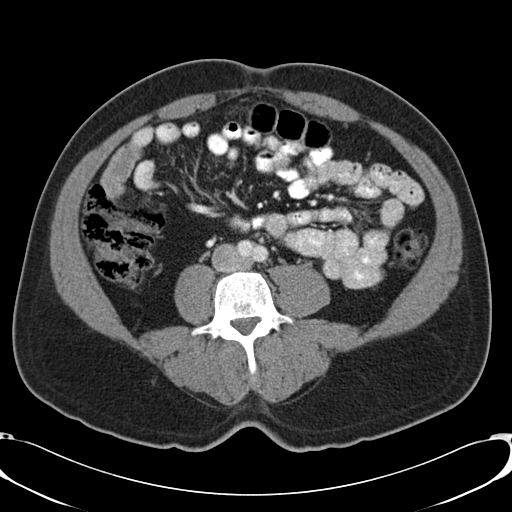
Contrast-enhanced abdominal CT, axial slice 8 of 48 (counted from the lowest slice); tube voltage 120 kVp, convolution kernel B30f; slices 5.00 mm thick, 0.736 mm per pixel.
Outside the outlined region: no kidney outline and no renal mass outline on this slice. The scan's outlines cover only kidneys and renal masses; no other organ is outlined.